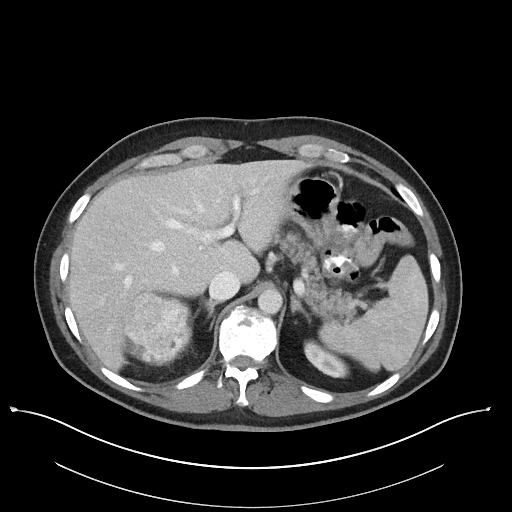
Abdominal CT with intravenous contrast, axial plane, 100 kVp, kernel I40f. Slice 82/101 from the bottom of the scan; thickness 5.00 mm; pixel size 0.879 mm.
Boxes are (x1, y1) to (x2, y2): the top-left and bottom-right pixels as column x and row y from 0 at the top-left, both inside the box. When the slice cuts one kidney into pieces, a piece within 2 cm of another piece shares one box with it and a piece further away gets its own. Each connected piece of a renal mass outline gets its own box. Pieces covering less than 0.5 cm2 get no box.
Boxed on this slice (one kidney box and one renal mass box), listed by box centre from the image's left to its right: (1) Right renal mass from (122, 293) to (192, 361) (outlined area 3,852 px, about 29.8 cm2); on this slice it lies more than 1 cm from any kidney outline, but the same outlined renal mass comes within 1 cm of the kidney on another slice. (2) Left kidney, box (304, 340) to (349, 377) (outlined area 961 px, about 7.4 cm2).